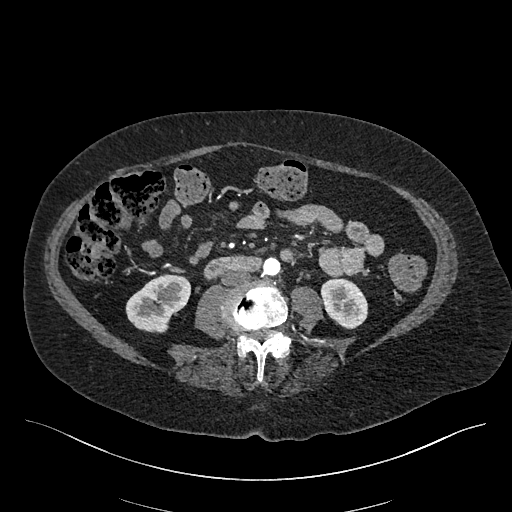
One axial slice (179 of 548, counting up from the lowest) of an arterial-phase abdominal CT acquired with 120 kVp, kernel I26f; each pixel is 0.852 mm and the slice is 1.00 mm thick.
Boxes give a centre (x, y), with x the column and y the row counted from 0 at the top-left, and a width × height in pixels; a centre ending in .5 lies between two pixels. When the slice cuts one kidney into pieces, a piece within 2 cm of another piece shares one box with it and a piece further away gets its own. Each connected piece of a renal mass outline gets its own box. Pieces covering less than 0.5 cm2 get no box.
Two kidney boxes on this slice; by box centre, from the image's left to its right: (1) Box centre (157.5, 303), 66 × 59 pixels: right kidney (outlined area 2,647 px, about 19.2 cm2). (2) Box centre (344, 303), 47 × 53 pixels: left kidney (outlined area 1,829 px, about 13.3 cm2). No renal mass is outlined on this slice.